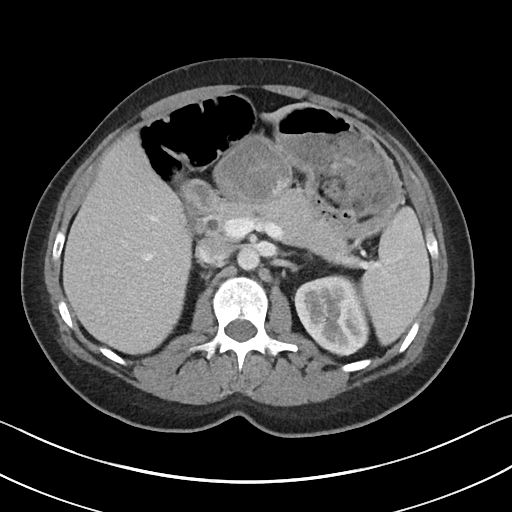
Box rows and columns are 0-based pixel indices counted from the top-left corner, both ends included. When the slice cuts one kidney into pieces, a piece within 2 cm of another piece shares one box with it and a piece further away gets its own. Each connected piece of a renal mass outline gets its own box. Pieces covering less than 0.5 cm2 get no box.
Arterial-phase contrast-enhanced abdominal CT, axial slice 68 of 90 (counted from the lowest slice); 5.00 mm thick, 0.703 mm per pixel. Left kidney, box rows 275–356, columns 294–369 (outlined area 4,527 px, about 22.4 cm2). This slice carries no renal mass outline.
Scan settings: 100 kVp, I40f reconstruction kernel.